Axial slice 364 of 527 of a contrast-enhanced abdominal CT in the arterial phase (slice 1 is the lowest), 120 kVp, kernel I30f; 1.00 mm slice thickness and 0.859 mm pixels.
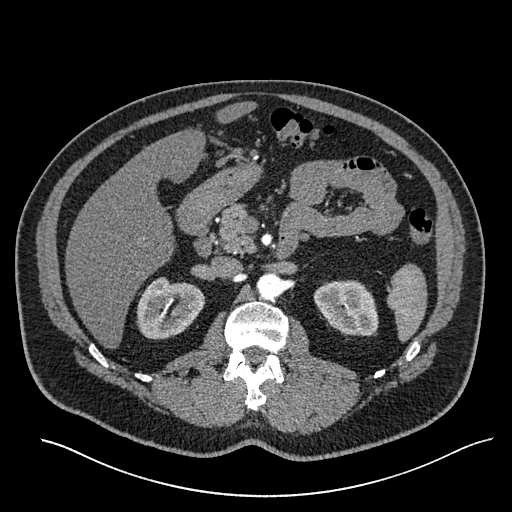
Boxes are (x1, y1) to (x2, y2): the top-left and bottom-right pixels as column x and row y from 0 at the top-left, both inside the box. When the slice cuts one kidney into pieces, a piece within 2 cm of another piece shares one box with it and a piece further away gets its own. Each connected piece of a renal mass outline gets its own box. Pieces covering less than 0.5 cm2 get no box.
Two boxes on this slice (two kidney boxes), listed by box centre from the image's left to its right. (1) Right kidney, box (136, 276) to (205, 339) (outlined area 3,155 px, about 23.3 cm2). (2) Left kidney, box (313, 280) to (378, 336) (outlined area 2,837 px, about 21.0 cm2).